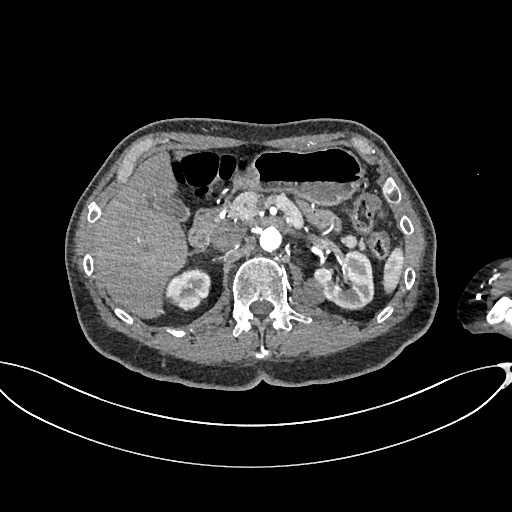
Axial slice 444 of 665 of a contrast-enhanced abdominal CT in the arterial phase (slice 1 is the lowest), 100 kVp, kernel I26f; 1.00 mm slice thickness and 0.828 mm pixels.
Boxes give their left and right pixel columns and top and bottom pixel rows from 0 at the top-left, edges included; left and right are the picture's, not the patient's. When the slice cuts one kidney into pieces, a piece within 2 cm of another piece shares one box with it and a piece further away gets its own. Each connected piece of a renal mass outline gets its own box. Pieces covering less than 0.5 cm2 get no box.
Three boxes on this slice (two kidney boxes and one renal mass box), listed by box centre from the image's left to its right. (1) Right kidney in the box with left 165, top 270, right 211, bottom 310 (outlined area 1,422 px, about 9.8 cm2). (2) Left renal mass, the box with left 291, top 277, right 325, bottom 307 (outlined area 681 px, about 4.7 cm2). (3) Left kidney, the box with left 314, top 250, right 373, bottom 307 (outlined area 2,439 px, about 16.7 cm2).